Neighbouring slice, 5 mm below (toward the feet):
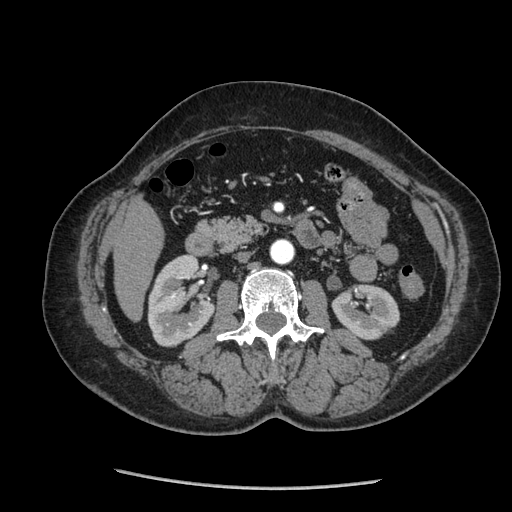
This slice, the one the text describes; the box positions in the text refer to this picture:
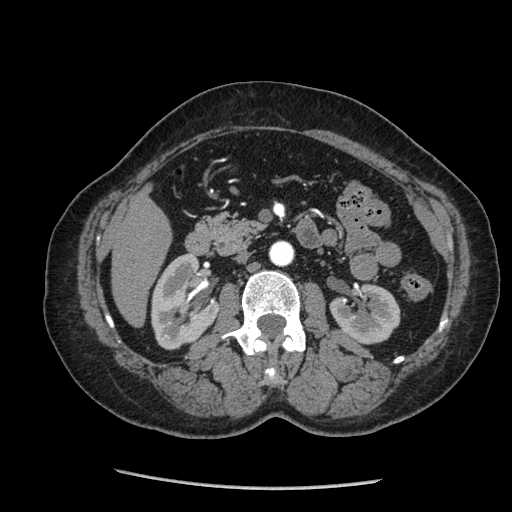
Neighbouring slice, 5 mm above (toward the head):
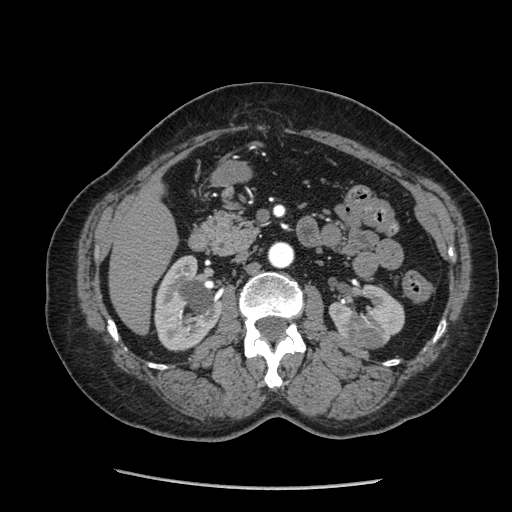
Abdominal CT with intravenous contrast, arterial phase, axial plane, 120 kVp, kernel STANDARD. Slice 120/233 from the bottom of the scan; thickness 1.25 mm; pixel size 0.703 mm.
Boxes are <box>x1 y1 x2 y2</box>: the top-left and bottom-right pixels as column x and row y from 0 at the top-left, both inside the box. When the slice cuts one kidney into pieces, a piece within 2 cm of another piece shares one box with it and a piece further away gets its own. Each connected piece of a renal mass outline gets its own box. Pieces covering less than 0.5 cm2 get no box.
Three boxes on this slice (two kidney boxes and one renal mass box), listed by box centre from the image's left to its right. (1) Right kidney: <box>150 253 220 350</box> (outlined area 4,772 px, about 23.6 cm2). (2) Left renal mass: <box>356 319 371 328</box> (outlined area 130 px, about 0.6 cm2). (3) Left kidney: <box>329 282 400 344</box> (outlined area 3,030 px, about 15.0 cm2). This slice is near the end of the left renal mass toward the feet, so the slices 5 mm below and 5 mm above it are shown as well; the boxes refer to this slice only.